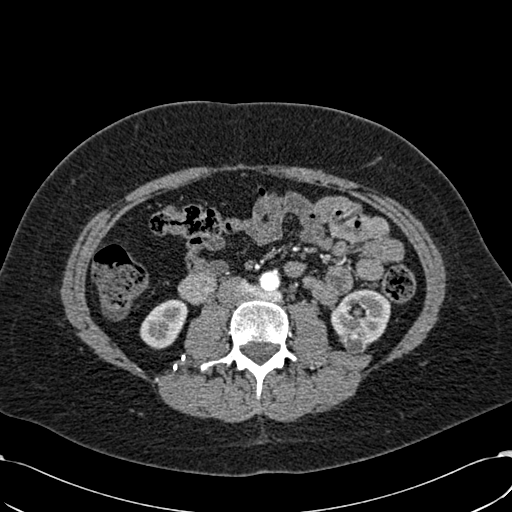
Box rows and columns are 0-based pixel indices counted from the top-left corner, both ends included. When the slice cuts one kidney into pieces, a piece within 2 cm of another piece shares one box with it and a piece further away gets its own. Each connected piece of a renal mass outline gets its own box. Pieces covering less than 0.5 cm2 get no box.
This is axial slice 285 of 532 (slice 1 is the lowest) of an arterial-phase abdominal CT with contrast; each pixel is 0.713 mm and the slice is 1.00 mm thick. Boxed on this slice (two kidney boxes and one renal mass box), listed by box centre from the image's left to its right: (1) Right kidney at rows 299–349, columns 139–188 (outlined area 1,702 px, about 8.6 cm2). (2) Box rows 332–355, columns 339–366: left renal mass (outlined area 477 px, about 2.4 cm2). (3) Left kidney, box rows 289–346, columns 330–390 (outlined area 2,335 px, about 11.9 cm2).
Tube voltage 120 kVp; convolution kernel B30f.